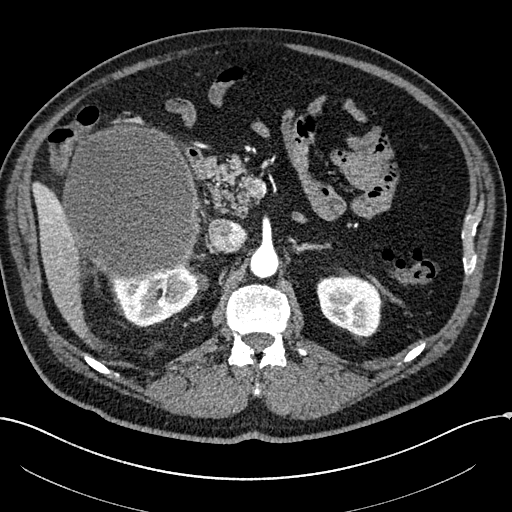
Abdominal CT with intravenous contrast, arterial phase, axial plane, 100 kVp, kernel I30f. Slice 147/304 from the bottom of the scan; thickness 2.00 mm; pixel size 0.809 mm.
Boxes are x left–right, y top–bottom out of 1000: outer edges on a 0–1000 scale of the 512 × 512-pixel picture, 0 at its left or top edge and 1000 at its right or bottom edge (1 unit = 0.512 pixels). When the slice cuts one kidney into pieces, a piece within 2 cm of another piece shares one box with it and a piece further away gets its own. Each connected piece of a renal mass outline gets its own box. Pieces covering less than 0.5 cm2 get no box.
Boxed on this slice (two kidney boxes and one renal mass box), listed by box centre from the image's left to its right: (1) Right renal mass, box x 117–391, y 240–549 out of 1000 (outlined area 17,239 px, about 112.7 cm2). (2) Box x 215–389, y 516–641 out of 1000: right kidney (outlined area 3,392 px, about 22.2 cm2). (3) Left kidney at x 617–744, y 539–658 out of 1000 (outlined area 3,067 px, about 20.1 cm2).